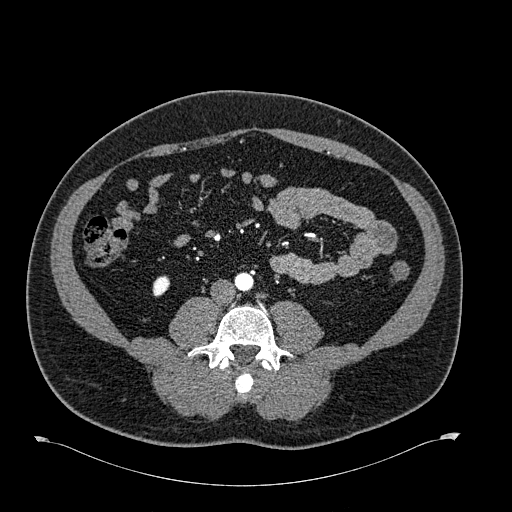
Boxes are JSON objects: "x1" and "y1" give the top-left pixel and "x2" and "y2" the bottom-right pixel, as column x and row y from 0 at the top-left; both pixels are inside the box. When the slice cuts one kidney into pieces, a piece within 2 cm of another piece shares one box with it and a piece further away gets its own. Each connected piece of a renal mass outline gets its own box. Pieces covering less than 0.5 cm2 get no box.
This is axial slice 248 of 723 (slice 1 is the lowest) of an arterial-phase abdominal CT with contrast; each pixel is 0.895 mm and the slice is 1.00 mm thick. Right kidney at {"x1": 152, "y1": 275, "x2": 170, "y2": 296} (outlined area 294 px, about 2.4 cm2). No renal mass outline on this slice.
Scan settings: 120 kVp, B30f reconstruction kernel.